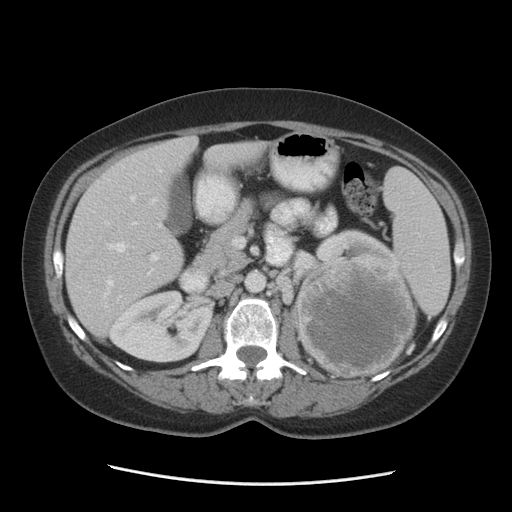
One axial slice (56 of 84, counting up from the lowest) of a contrast-enhanced abdominal CT acquired with 140 kVp, kernel STANDARD; each pixel is 0.717 mm and the slice is 5.00 mm thick.
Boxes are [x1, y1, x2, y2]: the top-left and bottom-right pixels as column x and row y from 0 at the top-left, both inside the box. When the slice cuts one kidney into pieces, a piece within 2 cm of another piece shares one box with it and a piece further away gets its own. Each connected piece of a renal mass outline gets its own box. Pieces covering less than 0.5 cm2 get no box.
Three boxes on this slice (two kidney boxes and one renal mass box), listed by box centre from the image's left to its right. (1) Box [107, 289, 212, 363]: right kidney (outlined area 5,661 px, about 29.1 cm2). (2) Left kidney, box [307, 228, 396, 273] (outlined area 1,710 px, about 8.8 cm2). (3) Left renal mass, box [294, 253, 417, 377] (outlined area 12,099 px, about 62.2 cm2).